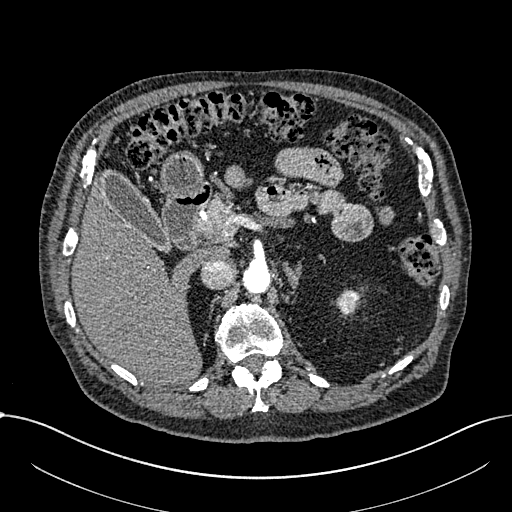
Arterial-phase contrast-enhanced abdominal CT, axial slice 470 of 1059 (counted from the lowest slice); tube voltage 100 kVp, convolution kernel I30f; slices 1.00 mm thick, 0.811 mm per pixel.
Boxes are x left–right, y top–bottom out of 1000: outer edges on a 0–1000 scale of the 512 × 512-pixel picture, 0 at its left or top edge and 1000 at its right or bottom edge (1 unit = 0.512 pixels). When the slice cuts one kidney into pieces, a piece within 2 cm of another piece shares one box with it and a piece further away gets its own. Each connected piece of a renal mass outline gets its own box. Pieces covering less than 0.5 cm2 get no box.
Box x 656–705, y 566–619 out of 1000: left part of the midline-crossing kidney (outlined area 467 px, about 3.1 cm2). No renal mass is outlined on this slice.